One axial slice (113 of 186, counting up from the lowest) of an arterial-phase abdominal CT acquired with 120 kVp, kernel STANDARD; each pixel is 0.742 mm and the slice is 2.50 mm thick.
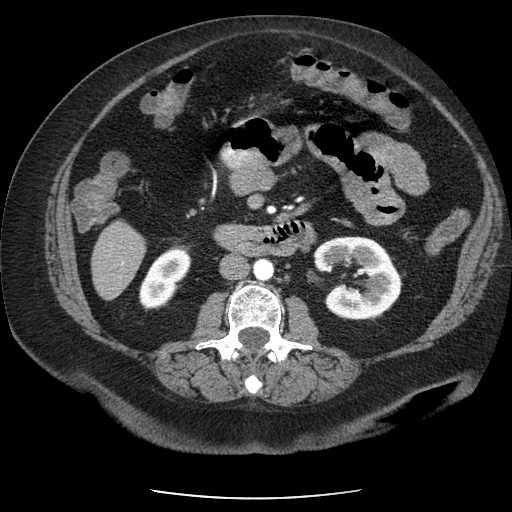
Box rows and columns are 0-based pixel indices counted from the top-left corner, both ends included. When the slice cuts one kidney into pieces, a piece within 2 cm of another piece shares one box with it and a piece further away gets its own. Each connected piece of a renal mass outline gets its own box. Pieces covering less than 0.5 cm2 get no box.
Boxed on this slice (two kidney boxes), listed by box centre from the image's left to its right: (1) Right kidney at rows 246–310, columns 138–191 (outlined area 2,115 px, about 11.7 cm2). (2) Left kidney, box rows 236–319, columns 313–402 (outlined area 5,168 px, about 28.5 cm2). No renal mass outline on this slice.